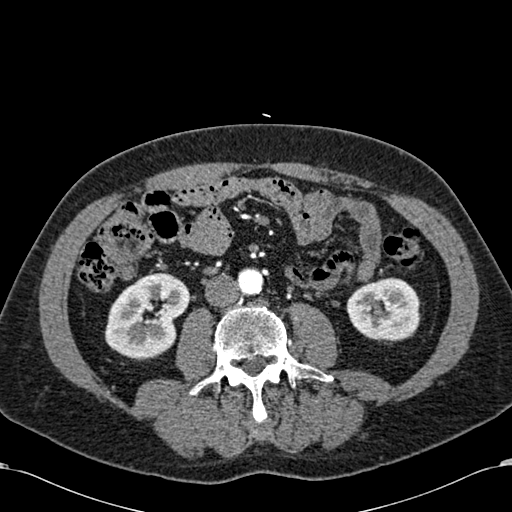
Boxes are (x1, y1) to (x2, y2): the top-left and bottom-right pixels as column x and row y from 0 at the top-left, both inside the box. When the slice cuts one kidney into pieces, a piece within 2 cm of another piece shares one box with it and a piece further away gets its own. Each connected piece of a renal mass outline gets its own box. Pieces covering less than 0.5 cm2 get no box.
Arterial-phase contrast-enhanced abdominal CT, axial slice 262 of 581 (counted from the lowest slice); 1.00 mm thick, 0.713 mm per pixel. Boxed on this slice (two kidney boxes), listed by box centre from the image's left to its right: (1) Right kidney from (104, 272) to (190, 360) (outlined area 5,279 px, about 26.8 cm2). (2) Left kidney, box (346, 277) to (420, 340) (outlined area 3,780 px, about 19.2 cm2). This slice carries no renal mass outline.
Scan settings: 120 kVp, B30f reconstruction kernel.